Axial slice 40 of 61 of a contrast-enhanced abdominal CT in the arterial phase (slice 1 is the lowest), 140 kVp, kernel I41f; 3.00 mm slice thickness and 0.947 mm pixels.
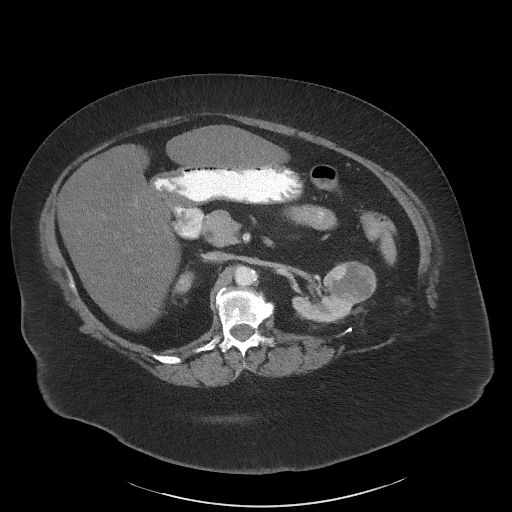
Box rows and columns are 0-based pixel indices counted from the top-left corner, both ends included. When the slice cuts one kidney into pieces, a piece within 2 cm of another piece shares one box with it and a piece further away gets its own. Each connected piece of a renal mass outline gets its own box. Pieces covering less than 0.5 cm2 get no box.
Two kidney boxes and one renal mass box on this slice; by box centre, from the image's left to its right: (1) Right kidney, box rows 274–294, columns 174–190 (outlined area 252 px, about 2.3 cm2). (2) Left kidney, box rows 275–323, columns 292–351 (outlined area 1,544 px, about 13.9 cm2). (3) Box rows 261–310, columns 322–376: left renal mass (outlined area 1,930 px, about 17.3 cm2).